One axial slice (66 of 261, counting up from the lowest) of an arterial-phase abdominal CT acquired with 120 kVp, kernel I30f; each pixel is 0.939 mm and the slice is 2.00 mm thick.
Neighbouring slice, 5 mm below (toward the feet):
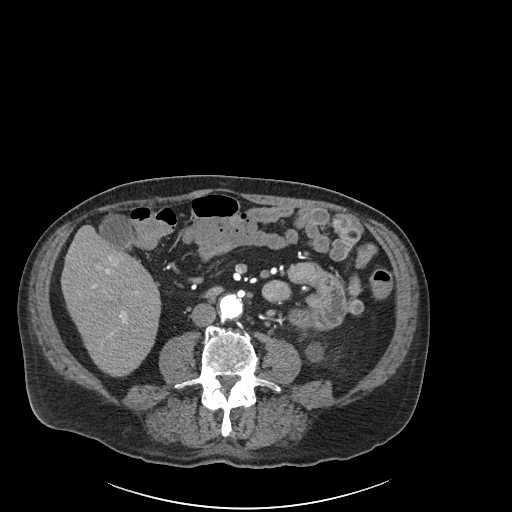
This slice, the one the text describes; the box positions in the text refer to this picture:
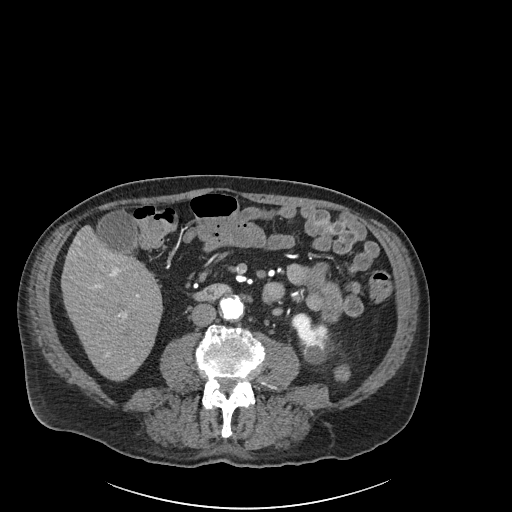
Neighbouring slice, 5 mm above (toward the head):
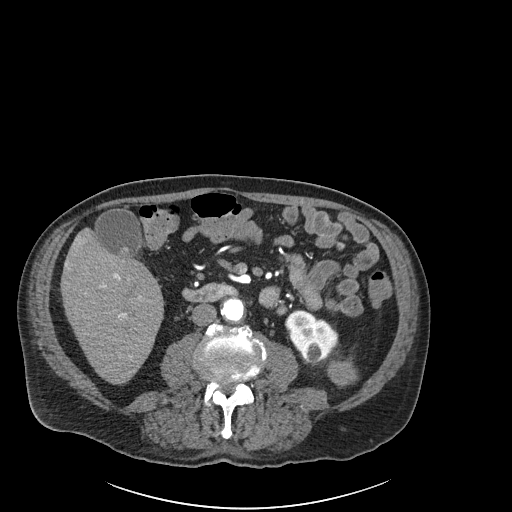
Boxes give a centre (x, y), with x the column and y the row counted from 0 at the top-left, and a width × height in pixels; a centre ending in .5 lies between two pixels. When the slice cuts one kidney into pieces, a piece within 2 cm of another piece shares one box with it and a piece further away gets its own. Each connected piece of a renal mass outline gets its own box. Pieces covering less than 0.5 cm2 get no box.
Two boxes on this slice (one kidney box and one renal mass box), listed by box centre from the image's left to its right. (1) Left kidney in a box with centre (310.5, 338), 40 × 53 pixels (outlined area 1,313 px, about 11.6 cm2). (2) Box centre (341.5, 373.5), 18 × 18 pixels: left renal mass (outlined area 245 px, about 2.2 cm2); it sits over 1 cm from every kidney outline on this slice, but the same outlined renal mass comes within 1 cm of the kidney on another slice. This slice is near the end of the left renal mass toward the feet, so the slices 5 mm below and 5 mm above it are shown as well; the boxes refer to this slice only.